Arterial-phase contrast-enhanced abdominal CT, axial slice 366 of 683 (counted from the lowest slice); tube voltage 120 kVp, convolution kernel I30f; slices 1.00 mm thick, 0.738 mm per pixel.
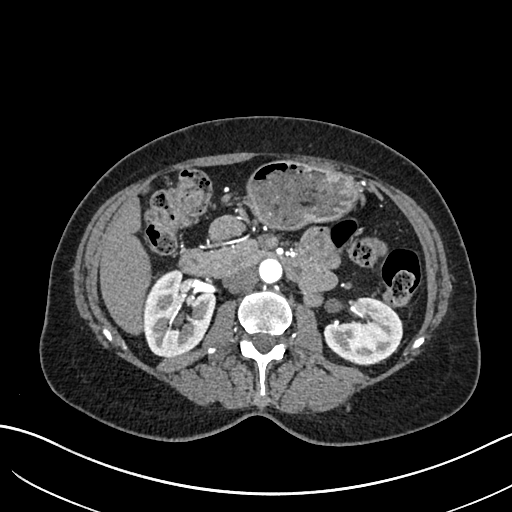
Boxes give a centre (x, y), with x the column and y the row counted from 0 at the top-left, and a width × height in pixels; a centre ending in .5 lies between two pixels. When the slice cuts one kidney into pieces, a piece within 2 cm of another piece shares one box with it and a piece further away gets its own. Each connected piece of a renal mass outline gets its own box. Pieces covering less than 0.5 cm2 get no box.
Two kidney boxes on this slice; by box centre, from the image's left to its right: (1) Box centre (178.5, 313), 74 × 89 pixels: right kidney (outlined area 4,799 px, about 26.2 cm2). (2) Box centre (362.5, 329.5), 80 × 68 pixels: left kidney (outlined area 3,740 px, about 20.4 cm2). This slice carries no renal mass outline.